Abdominal CT with intravenous contrast, axial plane, 120 kVp, kernel B31f. Slice 29/113 from the bottom of the scan; thickness 2.00 mm; pixel size 0.742 mm.
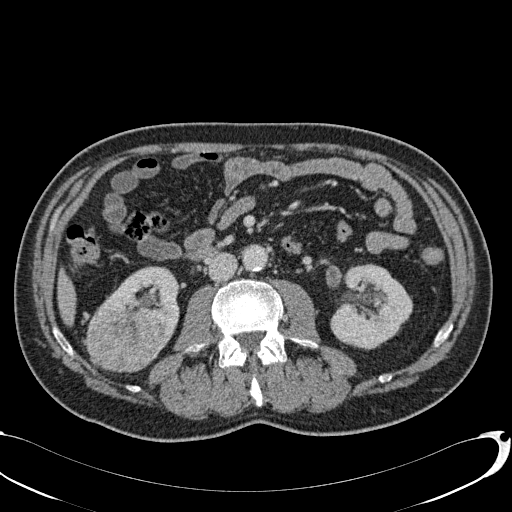
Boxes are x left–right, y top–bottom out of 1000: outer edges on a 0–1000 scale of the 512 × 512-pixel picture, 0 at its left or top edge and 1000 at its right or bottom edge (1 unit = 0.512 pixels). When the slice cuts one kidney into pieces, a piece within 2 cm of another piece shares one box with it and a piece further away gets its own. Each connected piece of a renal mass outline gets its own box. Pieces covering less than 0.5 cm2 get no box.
Three boxes on this slice (two kidney boxes and one renal mass box), listed by box centre from the image's left to its right. (1) Right renal mass, box x 166–324, y 602–729 out of 1000 (outlined area 4,085 px, about 22.5 cm2). (2) Box x 189–352, y 520–701 out of 1000: right kidney (outlined area 3,221 px, about 17.7 cm2). (3) Box x 645–809, y 514–684 out of 1000: left kidney (outlined area 5,107 px, about 28.1 cm2).